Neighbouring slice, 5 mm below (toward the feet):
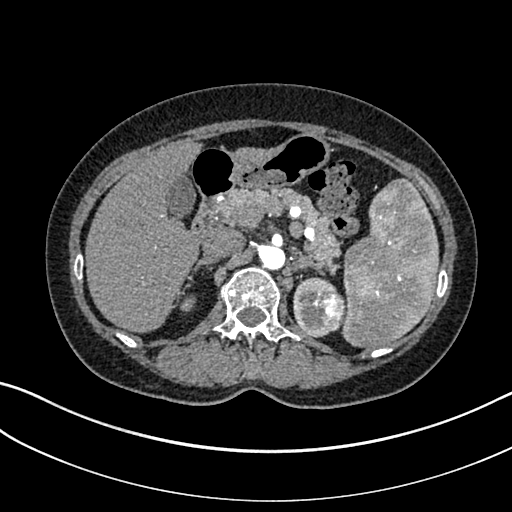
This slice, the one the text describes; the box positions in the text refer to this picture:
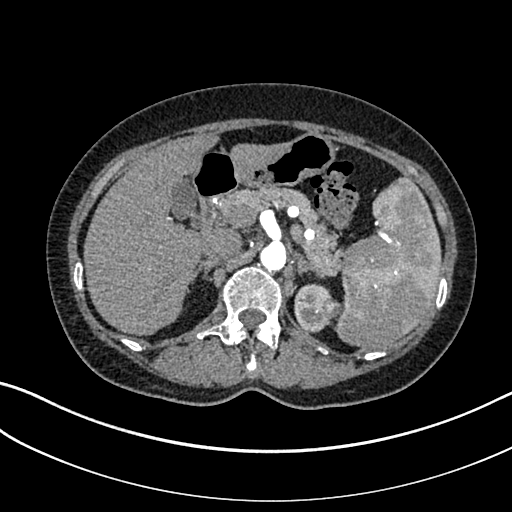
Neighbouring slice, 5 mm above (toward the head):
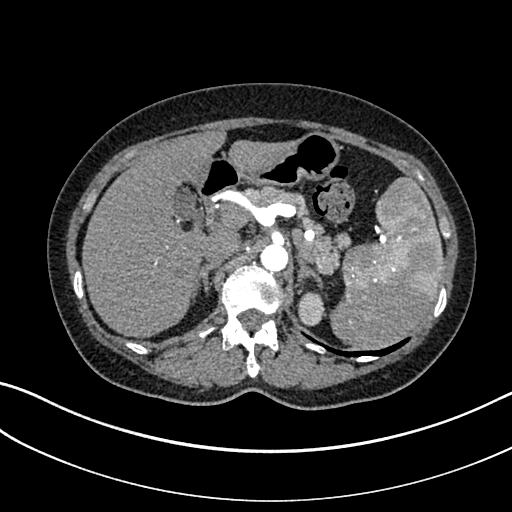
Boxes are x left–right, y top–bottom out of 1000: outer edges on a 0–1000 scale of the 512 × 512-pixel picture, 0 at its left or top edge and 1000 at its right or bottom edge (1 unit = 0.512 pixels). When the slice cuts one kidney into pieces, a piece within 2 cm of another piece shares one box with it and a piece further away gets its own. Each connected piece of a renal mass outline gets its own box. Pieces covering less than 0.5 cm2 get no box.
Slice 239/325 of a contrast-enhanced abdominal CT in the arterial phase, counting up from the lowest; pixel size 0.703 mm, slice thickness 1.00 mm. Two boxes on this slice (one kidney box and one renal mass box), listed by box centre from the image's left to its right. (1) Left kidney at x 574–648, y 553–650 out of 1000 (outlined area 1,384 px, about 6.8 cm2). (2) Box x 631–672, y 580–625 out of 1000: left renal mass (outlined area 339 px, about 1.7 cm2). This slice is near the end of the left renal mass toward the head, so the slices 5 mm below and 5 mm above it are shown as well; the boxes refer to this slice only.
Scan settings: 100 kVp, I30f reconstruction kernel.